One axial slice (58 of 106, counting up from the lowest) of an arterial-phase abdominal CT acquired with 120 kVp, kernel STANDARD; each pixel is 0.742 mm and the slice is 2.50 mm thick.
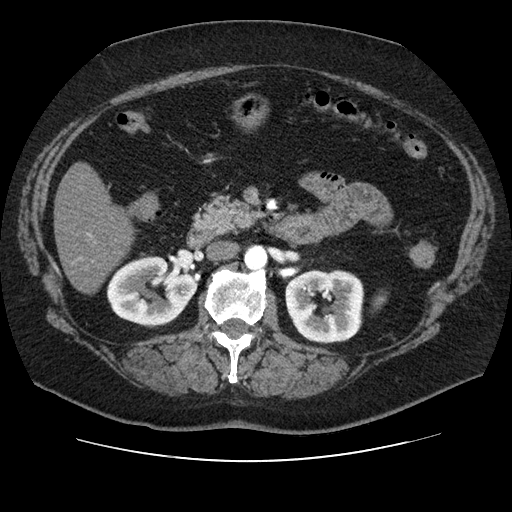
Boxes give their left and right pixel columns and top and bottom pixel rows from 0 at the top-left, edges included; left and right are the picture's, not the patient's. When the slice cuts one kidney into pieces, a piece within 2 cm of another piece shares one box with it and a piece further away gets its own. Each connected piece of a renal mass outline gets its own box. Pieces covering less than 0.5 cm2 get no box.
Boxed on this slice (two kidney boxes), listed by box centre from the image's left to its right: (1) Box with left 107, top 255, right 198, bottom 327: right kidney (outlined area 4,738 px, about 26.1 cm2). (2) Box with left 285, top 269, right 363, bottom 343: left kidney (outlined area 4,768 px, about 26.3 cm2). This slice carries no renal mass outline.